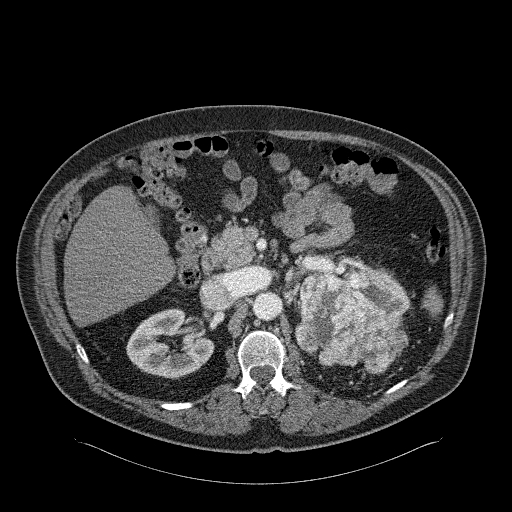
Abdominal CT with intravenous contrast, arterial phase, axial plane, 120 kVp, kernel B31f. Slice 152/326 from the bottom of the scan; thickness 2.00 mm; pixel size 0.963 mm.
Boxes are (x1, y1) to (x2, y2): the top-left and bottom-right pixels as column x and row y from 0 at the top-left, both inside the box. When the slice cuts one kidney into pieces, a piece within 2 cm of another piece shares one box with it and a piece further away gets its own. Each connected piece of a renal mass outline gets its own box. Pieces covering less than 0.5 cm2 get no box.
Boxed on this slice (two kidney boxes and one renal mass box), listed by box centre from the image's left to its right: (1) Box (126, 308) to (213, 378): right kidney (outlined area 4,221 px, about 39.1 cm2). (2) Left renal mass, box (294, 269) to (408, 374) (outlined area 8,110 px, about 75.2 cm2). (3) Left kidney, box (360, 269) to (410, 313) (outlined area 1,432 px, about 13.3 cm2).